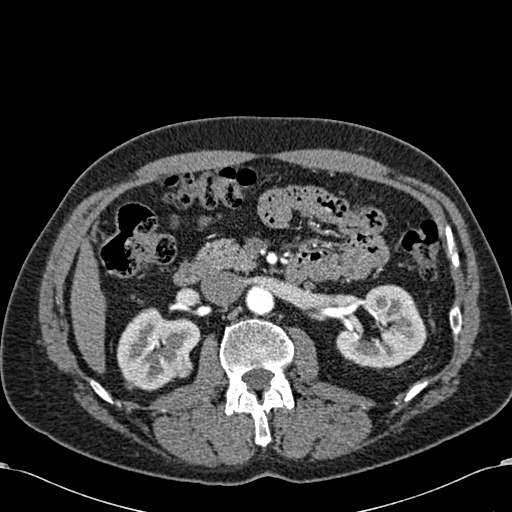
One axial slice (363 of 581, counting up from the lowest) of an arterial-phase abdominal CT acquired with 120 kVp, kernel B30f; each pixel is 0.713 mm and the slice is 1.00 mm thick.
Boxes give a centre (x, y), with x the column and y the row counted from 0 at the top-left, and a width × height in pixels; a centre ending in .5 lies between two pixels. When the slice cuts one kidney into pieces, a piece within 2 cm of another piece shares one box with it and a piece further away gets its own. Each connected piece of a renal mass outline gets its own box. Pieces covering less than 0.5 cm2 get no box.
Three boxes on this slice (two kidney boxes and one renal mass box), listed by box centre from the image's left to its right. (1) Box centre (158.5, 349), 84 × 85 pixels: right kidney (outlined area 4,584 px, about 23.3 cm2). (2) Box centre (182, 363.5), 21 × 28 pixels: right renal mass (outlined area 446 px, about 2.3 cm2). (3) Left kidney, box centre (381, 326.5), 91 × 86 pixels (outlined area 5,158 px, about 26.2 cm2).